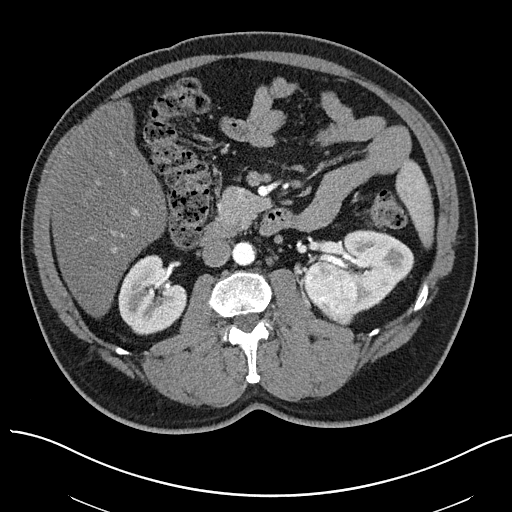
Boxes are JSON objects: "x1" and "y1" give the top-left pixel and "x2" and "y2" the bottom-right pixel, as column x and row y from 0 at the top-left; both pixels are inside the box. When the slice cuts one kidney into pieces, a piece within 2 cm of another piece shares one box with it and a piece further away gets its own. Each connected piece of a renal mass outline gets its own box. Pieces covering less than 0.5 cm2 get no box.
Slice 32/97 of a contrast-enhanced abdominal CT in the arterial phase, counting up from the lowest; pixel size 0.797 mm, slice thickness 3.00 mm. Boxed on this slice (two kidney boxes and one renal mass box), listed by box centre from the image's left to its right: (1) Right kidney at {"x1": 118, "y1": 255, "x2": 186, "y2": 335} (outlined area 3,967 px, about 25.2 cm2). (2) Left renal mass, box {"x1": 302, "y1": 260, "x2": 360, "y2": 325} (outlined area 2,863 px, about 18.2 cm2). (3) Left kidney at {"x1": 312, "y1": 229, "x2": 414, "y2": 311} (outlined area 4,158 px, about 26.4 cm2).
Acquired at 100 kVp and reconstructed with the I40f kernel.